One axial slice (436 of 683, counting up from the lowest) of an arterial-phase abdominal CT acquired with 120 kVp, kernel I30f; each pixel is 0.738 mm and the slice is 1.00 mm thick.
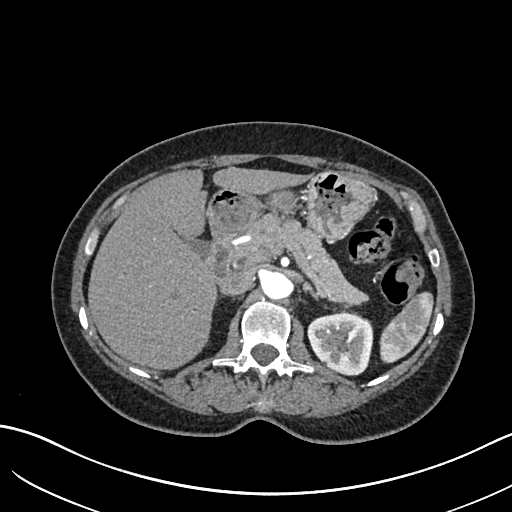
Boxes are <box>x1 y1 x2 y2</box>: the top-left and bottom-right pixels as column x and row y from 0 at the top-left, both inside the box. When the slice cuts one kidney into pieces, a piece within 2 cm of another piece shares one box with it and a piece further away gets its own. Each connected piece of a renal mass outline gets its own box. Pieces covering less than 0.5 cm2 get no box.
Left kidney: <box>307 311 373 375</box> (outlined area 3,263 px, about 17.8 cm2). No renal mass outline on this slice.